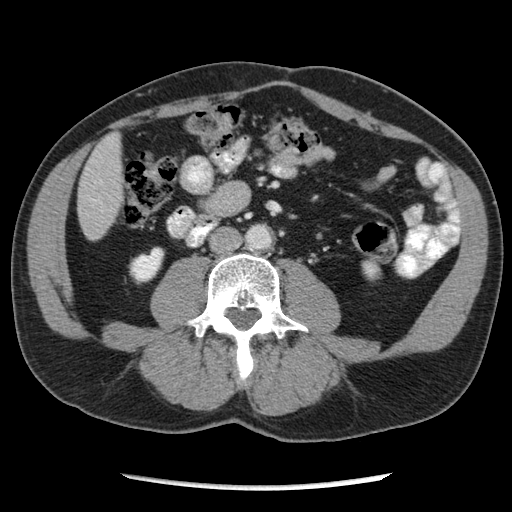
Arterial-phase contrast-enhanced abdominal CT, axial slice 100 of 262 (counted from the lowest slice); tube voltage 120 kVp, convolution kernel STANDARD; slices 2.50 mm thick, 0.703 mm per pixel.
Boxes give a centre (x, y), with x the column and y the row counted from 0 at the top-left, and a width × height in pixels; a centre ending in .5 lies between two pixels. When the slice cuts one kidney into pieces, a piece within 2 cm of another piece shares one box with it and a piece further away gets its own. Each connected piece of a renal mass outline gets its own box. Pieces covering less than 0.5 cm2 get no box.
Two boxes on this slice (two kidney boxes), listed by box centre from the image's left to its right. (1) Right kidney in a box with centre (146.5, 265), 38 × 39 pixels (outlined area 951 px, about 4.7 cm2). (2) Left kidney, box centre (371, 269.5), 21 × 24 pixels (outlined area 360 px, about 1.8 cm2). This slice carries no renal mass outline.